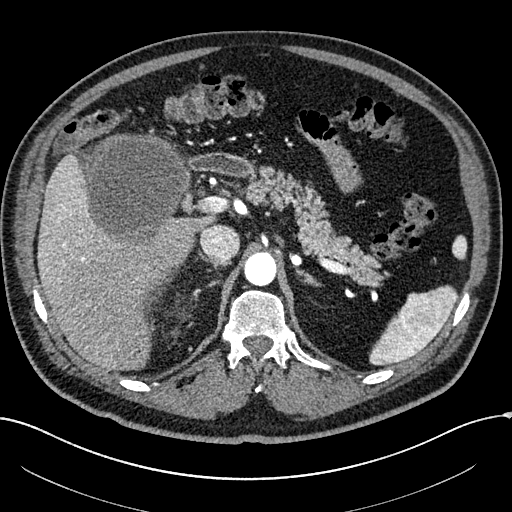
Axial slice 174 of 304 of a contrast-enhanced abdominal CT in the arterial phase (slice 1 is the lowest), 100 kVp, kernel I30f; 2.00 mm slice thickness and 0.809 mm pixels.
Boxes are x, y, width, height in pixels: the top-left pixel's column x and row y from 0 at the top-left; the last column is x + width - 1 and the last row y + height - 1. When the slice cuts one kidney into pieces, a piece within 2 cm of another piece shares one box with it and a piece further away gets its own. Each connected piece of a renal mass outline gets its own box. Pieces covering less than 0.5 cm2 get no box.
Right renal mass, box x 72, y 133, width 120, height 120 (outlined area 10,143 px, about 66.3 cm2); no kidney outline appears on this slice, but the same outlined renal mass comes within 1 cm of the kidney on another slice.